Abdominal CT with intravenous contrast, axial plane, 120 kVp, kernel I30f. Slice 30/60 from the bottom of the scan; thickness 5.00 mm; pixel size 0.971 mm.
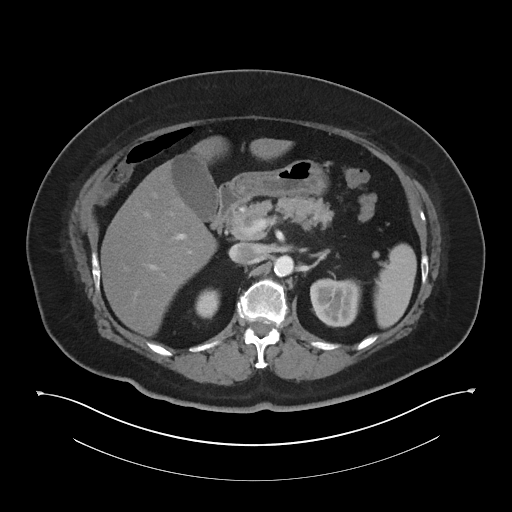
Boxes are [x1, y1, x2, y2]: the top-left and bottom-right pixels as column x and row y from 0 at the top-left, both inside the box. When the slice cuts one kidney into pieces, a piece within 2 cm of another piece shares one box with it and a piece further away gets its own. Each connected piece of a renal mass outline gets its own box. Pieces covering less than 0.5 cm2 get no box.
Boxed on this slice (two kidney boxes), listed by box centre from the image's left to its right: (1) Right kidney at [195, 288, 219, 318] (outlined area 602 px, about 5.7 cm2). (2) Box [310, 278, 361, 327]: left kidney (outlined area 2,114 px, about 19.9 cm2). No renal mass outline on this slice.